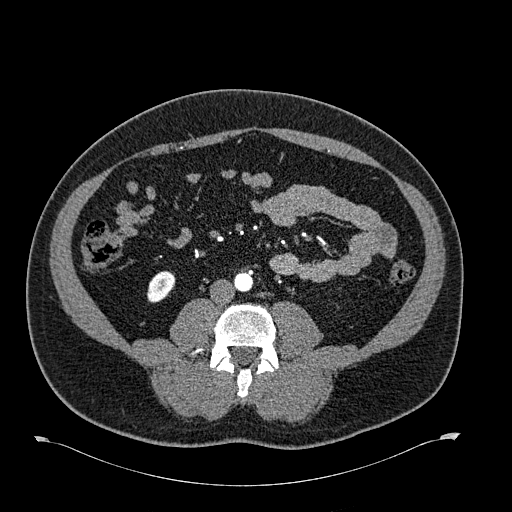
Abdominal CT with intravenous contrast, arterial phase, axial plane, 120 kVp, kernel B30f. Slice 256/723 from the bottom of the scan; thickness 1.00 mm; pixel size 0.895 mm.
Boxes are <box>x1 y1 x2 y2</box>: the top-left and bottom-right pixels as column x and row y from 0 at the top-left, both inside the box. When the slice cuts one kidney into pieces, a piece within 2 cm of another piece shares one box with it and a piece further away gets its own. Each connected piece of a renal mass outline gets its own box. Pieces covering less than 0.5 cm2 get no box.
Right kidney: <box>147 271 175 302</box> (outlined area 673 px, about 5.4 cm2). No renal mass is outlined on this slice.